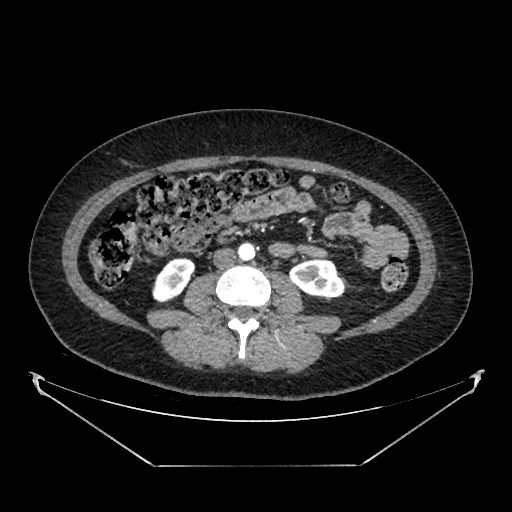
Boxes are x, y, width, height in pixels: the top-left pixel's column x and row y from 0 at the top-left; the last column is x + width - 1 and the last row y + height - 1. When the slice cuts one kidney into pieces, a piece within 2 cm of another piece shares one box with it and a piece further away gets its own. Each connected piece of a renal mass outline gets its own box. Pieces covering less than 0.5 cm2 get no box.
Slice 195/383 of a contrast-enhanced abdominal CT in the arterial phase, counting up from the lowest; pixel size 0.898 mm, slice thickness 1.25 mm. Boxed on this slice (two kidney boxes), listed by box centre from the image's left to its right: (1) Right kidney at x 152, y 257, width 44, height 47 (outlined area 1,342 px, about 10.8 cm2). (2) Left kidney at x 289, y 259, width 56, height 39 (outlined area 1,663 px, about 13.4 cm2). No renal mass is outlined on this slice.
Acquired at 100 kVp and reconstructed with the SOFT kernel.